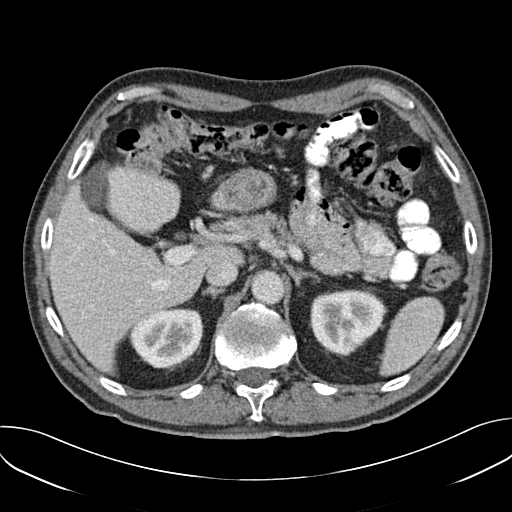
One axial slice (117 of 157, counting up from the lowest) of an arterial-phase abdominal CT acquired with 120 kVp, kernel B30f; each pixel is 0.742 mm and the slice is 3.00 mm thick.
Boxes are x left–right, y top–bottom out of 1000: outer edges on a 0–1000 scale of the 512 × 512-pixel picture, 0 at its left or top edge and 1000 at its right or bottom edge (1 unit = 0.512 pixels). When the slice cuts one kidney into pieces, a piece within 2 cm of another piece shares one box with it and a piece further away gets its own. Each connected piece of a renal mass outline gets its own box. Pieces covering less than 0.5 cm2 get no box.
Two boxes on this slice (two kidney boxes), listed by box centre from the image's left to its right. (1) Right kidney, box x 252–396, y 604–721 out of 1000 (outlined area 3,487 px, about 19.2 cm2). (2) Left kidney, box x 605–754, y 564–695 out of 1000 (outlined area 3,796 px, about 20.9 cm2). This slice carries no renal mass outline.